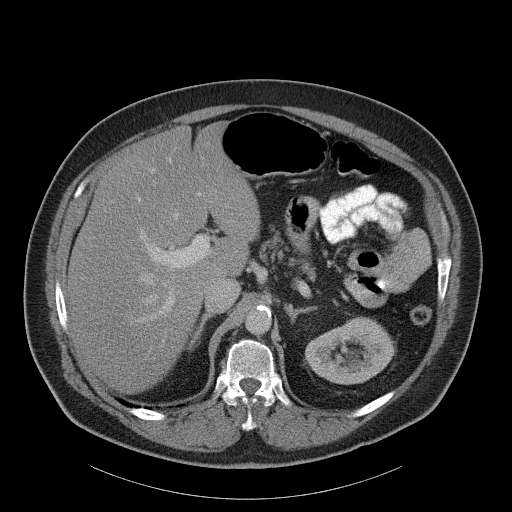
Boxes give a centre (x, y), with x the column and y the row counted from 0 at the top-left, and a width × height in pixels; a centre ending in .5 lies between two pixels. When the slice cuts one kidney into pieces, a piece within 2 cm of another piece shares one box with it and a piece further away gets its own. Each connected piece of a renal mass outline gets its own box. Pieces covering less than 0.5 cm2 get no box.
This is axial slice 77 of 107 (slice 1 is the lowest) of an abdominal CT with contrast; each pixel is 0.941 mm and the slice is 5.00 mm thick. Left kidney, box centre (350, 350), 91 × 69 pixels (outlined area 4,381 px, about 38.8 cm2). No renal mass is outlined on this slice.
Acquired at 120 kVp and reconstructed with the B31f kernel.